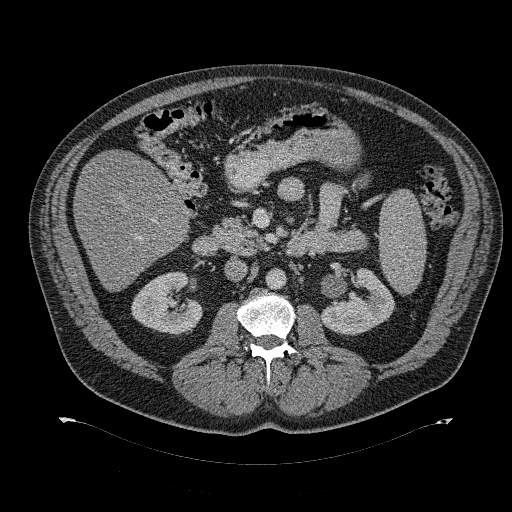
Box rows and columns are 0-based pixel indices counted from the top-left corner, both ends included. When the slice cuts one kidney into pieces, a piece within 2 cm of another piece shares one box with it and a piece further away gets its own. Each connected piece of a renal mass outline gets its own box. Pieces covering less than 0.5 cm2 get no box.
Slice 181/274 of a contrast-enhanced abdominal CT, counting up from the lowest; pixel size 0.977 mm, slice thickness 2.00 mm. Two boxes on this slice (two kidney boxes), listed by box centre from the image's left to its right. (1) Right kidney, box rows 271–335, columns 131–203 (outlined area 3,206 px, about 30.6 cm2). (2) Left kidney, box rows 268–335, columns 320–395 (outlined area 3,113 px, about 29.7 cm2). No renal mass is outlined on this slice.
Scan settings: 120 kVp, B31f reconstruction kernel.